Abdominal CT with intravenous contrast, arterial phase, axial plane, 100 kVp, kernel I40f. Slice 24/38 from the bottom of the scan; thickness 5.00 mm; pixel size 0.822 mm.
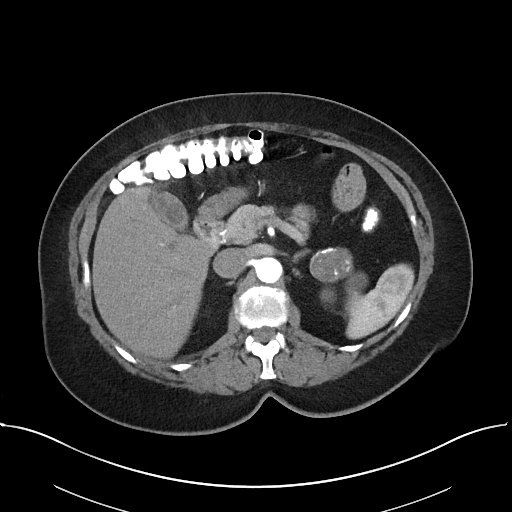
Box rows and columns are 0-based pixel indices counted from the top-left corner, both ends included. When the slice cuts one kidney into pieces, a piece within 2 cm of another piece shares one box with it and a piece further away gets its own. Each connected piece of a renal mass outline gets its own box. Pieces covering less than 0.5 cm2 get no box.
Two boxes on this slice (one kidney box and one renal mass box), listed by box centre from the image's left to its right. (1) Left renal mass at rows 247–282, columns 309–353 (outlined area 1,262 px, about 8.5 cm2). (2) Box rows 272–302, columns 320–367: left kidney (outlined area 556 px, about 3.8 cm2).